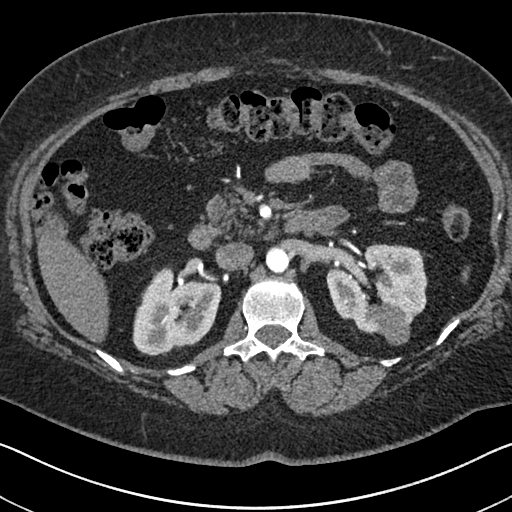
Arterial-phase contrast-enhanced abdominal CT, axial slice 423 of 591 (counted from the lowest slice); tube voltage 140 kVp, convolution kernel I30f; slices 1.00 mm thick, 0.703 mm per pixel.
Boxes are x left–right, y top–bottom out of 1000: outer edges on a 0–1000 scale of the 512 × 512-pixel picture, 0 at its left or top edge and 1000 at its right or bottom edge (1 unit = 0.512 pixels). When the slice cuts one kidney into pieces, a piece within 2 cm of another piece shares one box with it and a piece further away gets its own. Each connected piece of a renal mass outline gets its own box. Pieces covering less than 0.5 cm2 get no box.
Boxed on this slice (two kidney boxes and one renal mass box), listed by box centre from the image's left to its right: (1) Right kidney, box x 258–434, y 520–693 out of 1000 (outlined area 5,790 px, about 28.6 cm2). (2) Left kidney at x 637–836, y 475–654 out of 1000 (outlined area 5,927 px, about 29.3 cm2). (3) Box x 736–803, y 596–674 out of 1000: left renal mass (outlined area 1,021 px, about 5.0 cm2).